One axial slice (218 of 316, counting up from the lowest) of an arterial-phase abdominal CT acquired with 100 kVp, kernel I40f; each pixel is 0.840 mm and the slice is 2.00 mm thick.
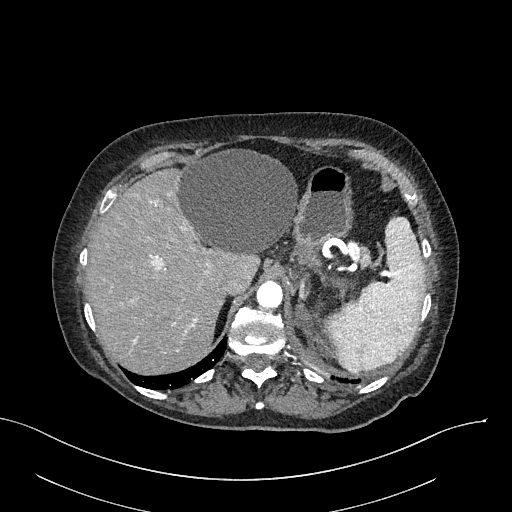
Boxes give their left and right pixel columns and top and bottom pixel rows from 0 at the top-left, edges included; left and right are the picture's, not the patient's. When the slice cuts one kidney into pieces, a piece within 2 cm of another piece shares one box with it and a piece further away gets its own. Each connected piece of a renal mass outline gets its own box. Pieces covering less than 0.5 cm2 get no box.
Two boxes on this slice (two renal mass boxes), listed by box centre from the image's left to its right. (1) Left renal mass in the box with left 293, top 301, right 330, bottom 354 (outlined area 1,037 px, about 7.3 cm2); no kidney is outlined on this slice, but the same outlined renal mass comes within 1 cm of the kidney on another slice. (2) Left renal mass, the box with left 328, top 284, right 342, bottom 297 (outlined area 83 px, about 0.6 cm2); this slice has no kidney outline, though on another slice the same outlined renal mass lies within 1 cm of the kidney.